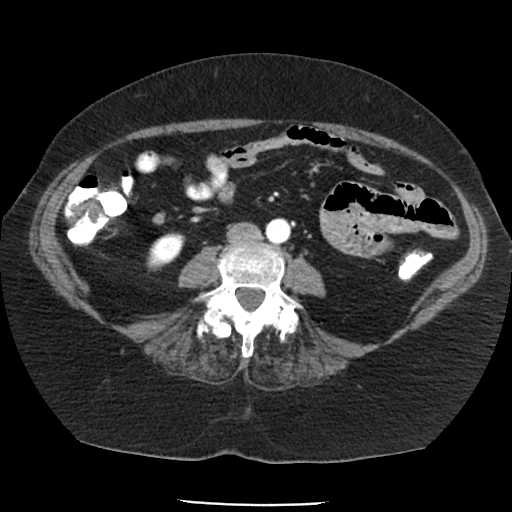
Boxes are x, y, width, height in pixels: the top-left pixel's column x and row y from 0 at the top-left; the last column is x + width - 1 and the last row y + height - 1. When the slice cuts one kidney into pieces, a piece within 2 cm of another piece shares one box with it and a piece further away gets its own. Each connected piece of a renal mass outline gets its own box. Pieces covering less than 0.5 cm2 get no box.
Slice 44/85 of a contrast-enhanced abdominal CT in the arterial phase, counting up from the lowest; pixel size 0.741 mm, slice thickness 5.00 mm. Box x 146, y 232, width 40, height 39: right kidney (outlined area 999 px, about 5.5 cm2). No renal mass is outlined on this slice.
Tube voltage 120 kVp; convolution kernel FC19.